Axial slice 246 of 548 of a contrast-enhanced abdominal CT in the arterial phase (slice 1 is the lowest), 120 kVp, kernel I26f; 1.00 mm slice thickness and 0.852 mm pixels.
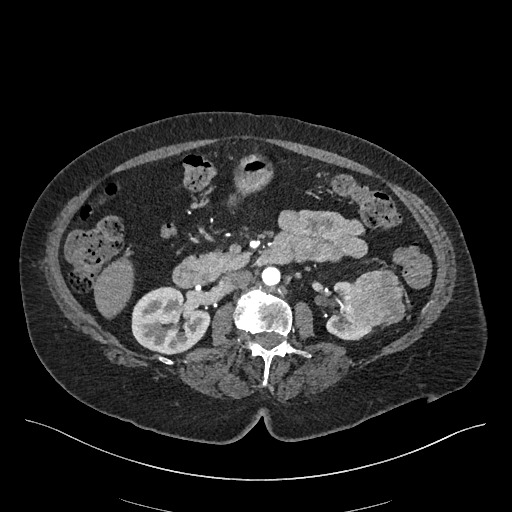
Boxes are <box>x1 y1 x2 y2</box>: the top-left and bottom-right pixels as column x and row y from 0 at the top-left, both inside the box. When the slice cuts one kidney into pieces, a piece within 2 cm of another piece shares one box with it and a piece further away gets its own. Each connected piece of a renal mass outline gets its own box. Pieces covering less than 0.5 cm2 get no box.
Two kidney boxes and one renal mass box on this slice; by box centre, from the image's left to its right: (1) Right kidney at <box>131 286 210 354</box> (outlined area 4,114 px, about 29.8 cm2). (2) Left kidney at <box>325 281 373 340</box> (outlined area 1,177 px, about 8.5 cm2). (3) Left renal mass: <box>339 268 405 327</box> (outlined area 2,932 px, about 21.3 cm2).